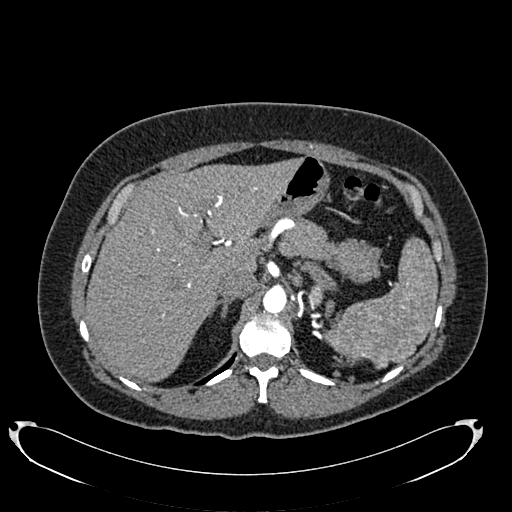
One axial slice (544 of 634, counting up from the lowest) of an arterial-phase abdominal CT acquired with 120 kVp, kernel B20f; each pixel is 0.838 mm and the slice is 1.00 mm thick.
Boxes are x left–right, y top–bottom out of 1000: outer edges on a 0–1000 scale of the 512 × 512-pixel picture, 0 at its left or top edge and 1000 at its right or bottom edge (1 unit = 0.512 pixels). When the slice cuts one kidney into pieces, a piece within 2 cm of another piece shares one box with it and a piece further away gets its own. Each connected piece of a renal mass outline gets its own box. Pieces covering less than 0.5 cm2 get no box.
Box x 602–635, y 551–602 out of 1000: left kidney (outlined area 309 px, about 2.2 cm2). No renal mass outline on this slice.